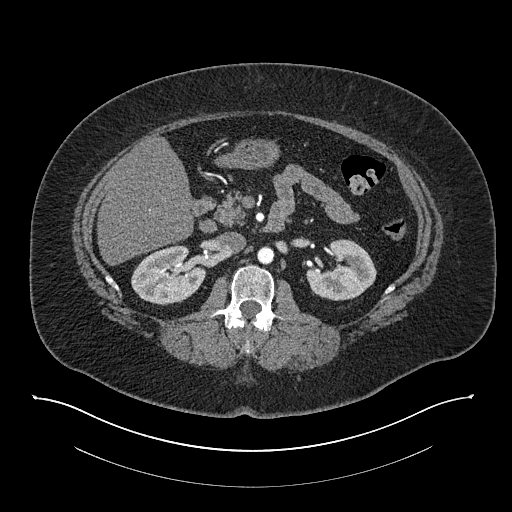
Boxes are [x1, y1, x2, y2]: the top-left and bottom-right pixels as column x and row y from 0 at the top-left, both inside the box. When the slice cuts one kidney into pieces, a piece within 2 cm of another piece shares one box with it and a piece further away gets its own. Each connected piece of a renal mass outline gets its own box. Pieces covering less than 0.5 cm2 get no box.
Arterial-phase contrast-enhanced abdominal CT, axial slice 472 of 673 (counted from the lowest slice); 1.00 mm thick, 0.957 mm per pixel. Two boxes on this slice (two kidney boxes), listed by box centre from the image's left to its right. (1) Right kidney, box [131, 244, 206, 305] (outlined area 3,308 px, about 30.3 cm2). (2) Box [306, 239, 376, 300]: left kidney (outlined area 3,043 px, about 27.9 cm2). No renal mass outline on this slice.
Scan settings: 140 kVp, I30f reconstruction kernel.